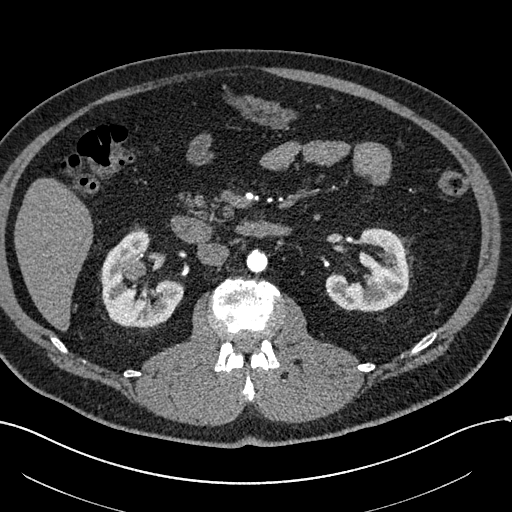
Axial slice 330 of 602 of a contrast-enhanced abdominal CT in the arterial phase (slice 1 is the lowest), 120 kVp, kernel I30f; 1.00 mm slice thickness and 0.799 mm pixels.
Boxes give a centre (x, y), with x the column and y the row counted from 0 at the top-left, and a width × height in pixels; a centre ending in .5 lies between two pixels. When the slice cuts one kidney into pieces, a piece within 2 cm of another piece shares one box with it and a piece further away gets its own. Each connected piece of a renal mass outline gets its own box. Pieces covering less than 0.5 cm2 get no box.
Boxed on this slice (two kidney boxes and one renal mass box), listed by box centre from the image's left to its right: (1) Right renal mass in a box with centre (134, 266.5), 23 × 22 pixels (outlined area 391 px, about 2.5 cm2). (2) Box centre (142, 278.5), 83 × 98 pixels: right kidney (outlined area 4,795 px, about 30.6 cm2). (3) Left kidney in a box with centre (367, 269.5), 85 × 84 pixels (outlined area 4,370 px, about 27.9 cm2).